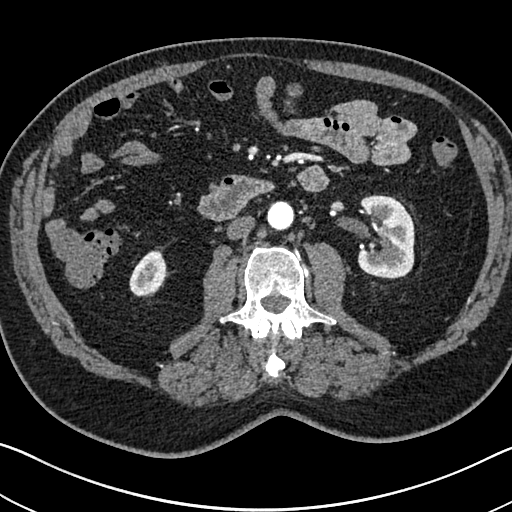
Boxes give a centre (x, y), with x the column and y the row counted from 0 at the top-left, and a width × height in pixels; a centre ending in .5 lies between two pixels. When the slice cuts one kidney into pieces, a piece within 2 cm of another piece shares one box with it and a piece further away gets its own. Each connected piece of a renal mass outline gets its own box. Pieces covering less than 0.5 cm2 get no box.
This is axial slice 364 of 705 (slice 1 is the lowest) of an arterial-phase abdominal CT with contrast; each pixel is 0.703 mm and the slice is 1.00 mm thick. Boxed on this slice (two kidney boxes), listed by box centre from the image's left to its right: (1) Box centre (147.5, 273), 38 × 47 pixels: right kidney (outlined area 1,238 px, about 6.1 cm2). (2) Left kidney in a box with centre (385.5, 236), 58 × 85 pixels (outlined area 3,985 px, about 19.7 cm2). This slice carries no renal mass outline.
Acquired at 120 kVp and reconstructed with the I30f kernel.